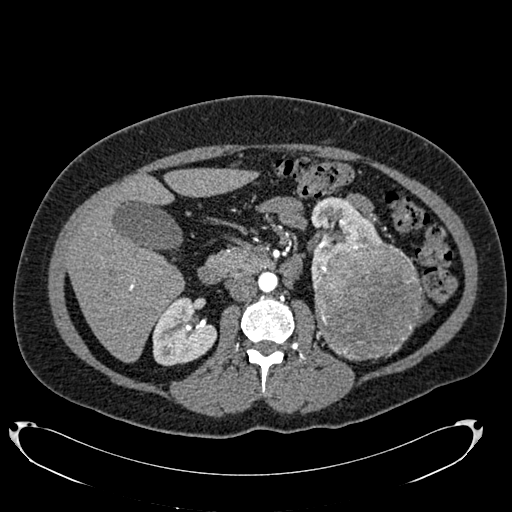
Abdominal CT with intravenous contrast, arterial phase, axial plane, 120 kVp, kernel B20f. Slice 423/634 from the bottom of the scan; thickness 1.00 mm; pixel size 0.838 mm.
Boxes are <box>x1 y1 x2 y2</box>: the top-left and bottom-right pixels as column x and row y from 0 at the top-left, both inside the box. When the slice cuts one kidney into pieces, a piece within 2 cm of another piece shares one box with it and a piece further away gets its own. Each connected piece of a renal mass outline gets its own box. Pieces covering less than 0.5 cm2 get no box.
Two kidney boxes and one renal mass box on this slice; by box centre, from the image's left to its right: (1) Right kidney: <box>152 297 217 366</box> (outlined area 3,190 px, about 22.4 cm2). (2) Left kidney at <box>310 197 384 281</box> (outlined area 3,189 px, about 22.4 cm2). (3) Left renal mass at <box>312 243 422 360</box> (outlined area 10,316 px, about 72.4 cm2).